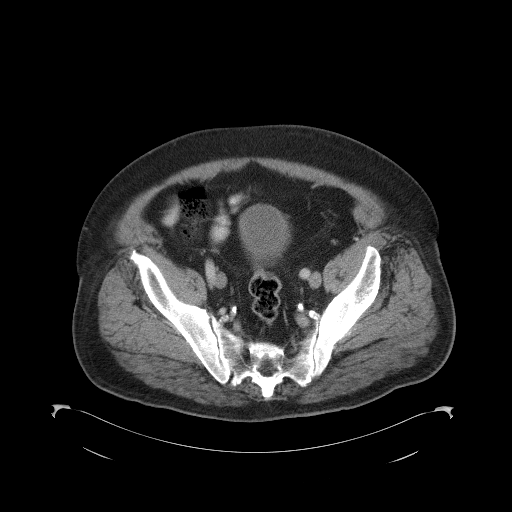
This is axial slice 24 of 98 (slice 1 is the lowest) of an abdominal CT with contrast; each pixel is 0.965 mm and the slice is 5.00 mm thick. No kidney and no renal mass is outlined on this slice; the outlines in this scan cover only the kidneys and the renal masses, so nothing is said about any other organ.
Acquired at 120 kVp and reconstructed with the B41f kernel.